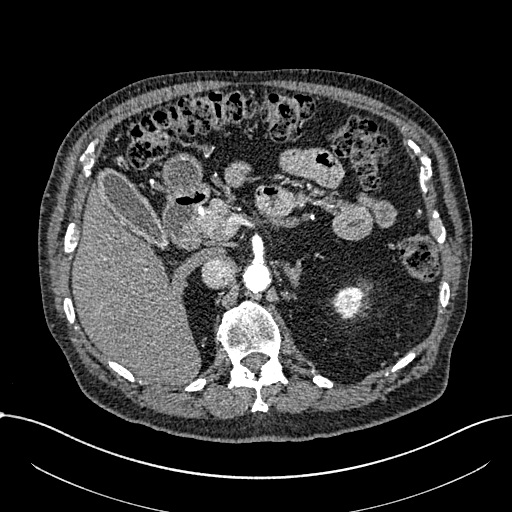
Axial slice 465 of 1059 of a contrast-enhanced abdominal CT in the arterial phase (slice 1 is the lowest), 100 kVp, kernel I30f; 1.00 mm slice thickness and 0.811 mm pixels.
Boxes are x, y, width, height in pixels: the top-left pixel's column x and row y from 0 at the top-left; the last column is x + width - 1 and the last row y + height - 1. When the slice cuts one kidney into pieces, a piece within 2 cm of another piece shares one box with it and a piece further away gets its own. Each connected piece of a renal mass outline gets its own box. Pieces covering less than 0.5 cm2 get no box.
Left part of the midline-crossing kidney at x 332, y 286, width 32, height 35 (outlined area 779 px, about 5.1 cm2). No renal mass outline on this slice.